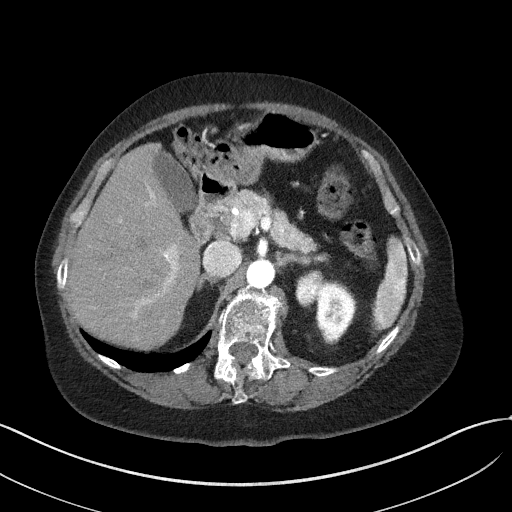
Arterial-phase contrast-enhanced abdominal CT, axial slice 39 of 50 (counted from the lowest slice); tube voltage 100 kVp, convolution kernel I41f; slices 3.00 mm thick, 0.758 mm per pixel.
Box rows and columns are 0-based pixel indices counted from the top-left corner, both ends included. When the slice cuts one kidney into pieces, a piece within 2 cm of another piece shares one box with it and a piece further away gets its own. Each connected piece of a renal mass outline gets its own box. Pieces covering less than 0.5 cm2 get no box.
Two boxes on this slice (one kidney box and one renal mass box), listed by box centre from the image's left to its right. (1) Left renal mass, box rows 270–306, columns 295–324 (outlined area 808 px, about 4.6 cm2). (2) Left kidney at rows 280–343, columns 315–354 (outlined area 1,783 px, about 10.2 cm2).